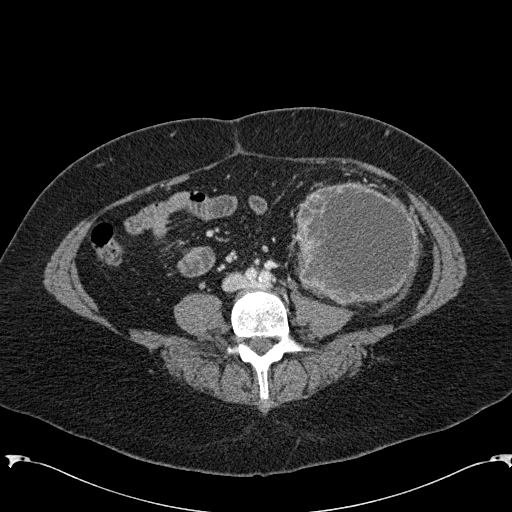
Abdominal CT with intravenous contrast, arterial phase, axial plane, 120 kVp, kernel B31f. Slice 45/285 from the bottom of the scan; thickness 2.00 mm; pixel size 0.762 mm.
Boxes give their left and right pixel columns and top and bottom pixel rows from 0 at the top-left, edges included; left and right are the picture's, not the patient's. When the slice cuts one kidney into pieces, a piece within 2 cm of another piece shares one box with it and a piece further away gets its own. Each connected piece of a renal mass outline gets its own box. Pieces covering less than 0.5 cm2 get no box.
Left renal mass, the box with left 290, top 181, right 419, bottom 305 (outlined area 12,400 px, about 71.9 cm2); no kidney is outlined on this slice, but the same outlined renal mass comes within 1 cm of the kidney on another slice.